Arterial-phase contrast-enhanced abdominal CT, axial slice 71 of 274 (counted from the lowest slice); tube voltage 120 kVp, convolution kernel B30f; slices 2.00 mm thick, 0.809 mm per pixel.
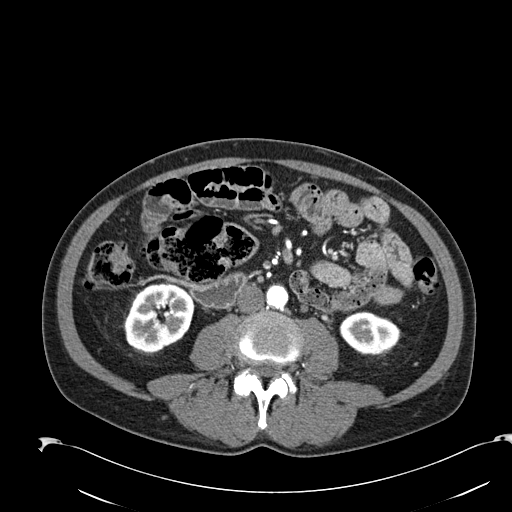
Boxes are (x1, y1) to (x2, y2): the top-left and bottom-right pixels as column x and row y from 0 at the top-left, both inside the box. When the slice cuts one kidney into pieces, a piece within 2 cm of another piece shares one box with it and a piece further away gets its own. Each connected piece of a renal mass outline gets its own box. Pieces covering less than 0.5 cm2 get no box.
Boxed on this slice (two kidney boxes), listed by box centre from the image's left to its right: (1) Right kidney from (122, 284) to (193, 354) (outlined area 3,724 px, about 24.3 cm2). (2) Box (339, 311) to (399, 354): left kidney (outlined area 2,005 px, about 13.1 cm2). This slice carries no renal mass outline.